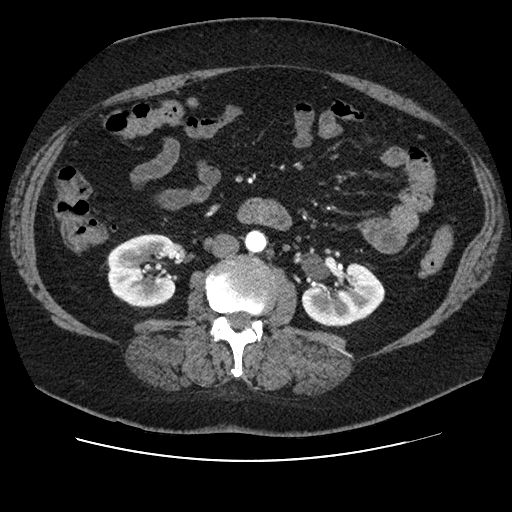
Axial slice 42 of 106 of a contrast-enhanced abdominal CT in the arterial phase (slice 1 is the lowest), 120 kVp, kernel STANDARD; 2.50 mm slice thickness and 0.742 mm pixels.
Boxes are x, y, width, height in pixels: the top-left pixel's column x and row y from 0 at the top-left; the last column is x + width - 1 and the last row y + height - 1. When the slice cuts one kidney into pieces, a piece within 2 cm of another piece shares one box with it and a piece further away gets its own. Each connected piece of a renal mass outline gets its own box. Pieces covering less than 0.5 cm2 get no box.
Two boxes on this slice (two kidney boxes), listed by box centre from the image's left to its right. (1) Right kidney, box x 107, y 233, width 72, height 75 (outlined area 4,257 px, about 23.4 cm2). (2) Left kidney at x 301, y 263, width 85, height 65 (outlined area 3,672 px, about 20.2 cm2). No renal mass outline on this slice.